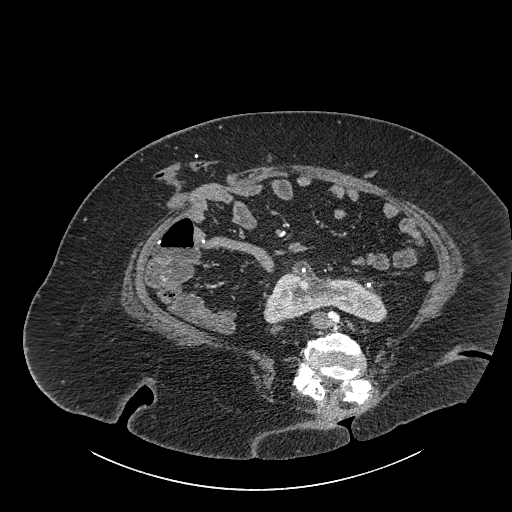
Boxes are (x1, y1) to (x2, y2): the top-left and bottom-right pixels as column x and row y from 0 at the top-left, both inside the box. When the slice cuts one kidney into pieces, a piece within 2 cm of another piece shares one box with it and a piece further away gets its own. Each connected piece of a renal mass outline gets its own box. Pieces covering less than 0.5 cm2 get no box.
This is axial slice 437 of 834 (slice 1 is the lowest) of an abdominal CT with contrast; each pixel is 0.977 mm and the slice is 1.00 mm thick. Box (263, 260) to (387, 323): kidney crossing the body midline (outlined area 4,501 px, about 42.9 cm2). No renal mass outline on this slice.
Tube voltage 140 kVp; convolution kernel I30f.